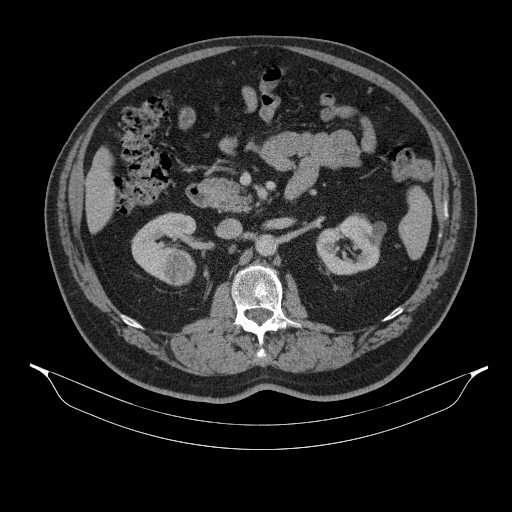
One axial slice (203 of 314, counting up from the lowest) of a contrast-enhanced abdominal CT acquired with 130 kVp, kernel B31s; each pixel is 0.934 mm and the slice is 2.50 mm thick.
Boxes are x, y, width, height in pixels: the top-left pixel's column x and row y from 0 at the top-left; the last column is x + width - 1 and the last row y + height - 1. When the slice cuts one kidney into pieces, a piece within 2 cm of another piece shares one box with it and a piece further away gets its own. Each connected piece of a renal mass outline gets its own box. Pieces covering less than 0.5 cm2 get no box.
Three boxes on this slice (two kidney boxes and one renal mass box), listed by box centre from the image's left to its right. (1) Right kidney, box x 131, y 212, width 67, height 72 (outlined area 2,652 px, about 23.1 cm2). (2) Box x 162, y 249, width 34, height 37: right renal mass (outlined area 980 px, about 8.5 cm2). (3) Left kidney at x 316, y 213, width 70, height 62 (outlined area 3,015 px, about 26.3 cm2).